One axial slice (33 of 285, counting up from the lowest) of an arterial-phase abdominal CT acquired with 120 kVp, kernel B31f; each pixel is 0.762 mm and the slice is 2.00 mm thick.
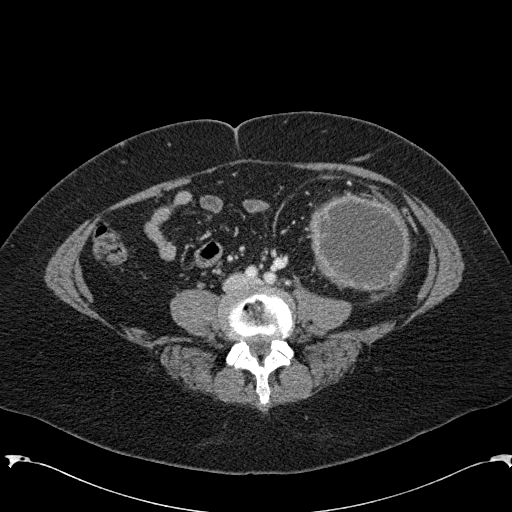
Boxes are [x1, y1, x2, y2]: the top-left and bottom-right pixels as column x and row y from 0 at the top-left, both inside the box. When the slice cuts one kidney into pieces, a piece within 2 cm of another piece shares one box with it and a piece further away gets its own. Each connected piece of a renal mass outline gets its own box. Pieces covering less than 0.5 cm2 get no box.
Left renal mass, box [307, 192, 410, 291] (outlined area 8,028 px, about 46.6 cm2); this slice has no kidney outline, though on another slice the same outlined renal mass lies within 1 cm of the kidney.